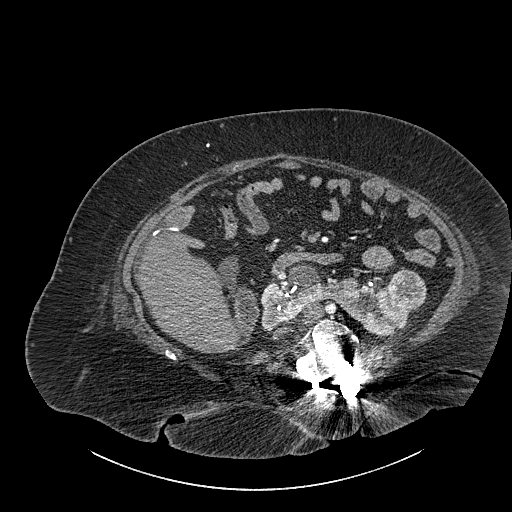
Contrast-enhanced abdominal CT, axial slice 498 of 834 (counted from the lowest slice); tube voltage 140 kVp, convolution kernel I30f; slices 1.00 mm thick, 0.977 mm per pixel.
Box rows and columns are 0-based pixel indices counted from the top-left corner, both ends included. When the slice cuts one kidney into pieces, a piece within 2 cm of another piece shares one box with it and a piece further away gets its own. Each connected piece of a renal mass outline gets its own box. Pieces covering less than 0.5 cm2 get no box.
Two boxes on this slice (one kidney box and one renal mass box), listed by box centre from the image's left to its right. (1) Box rows 262–336, columns 260–418: kidney crossing the body midline (outlined area 5,526 px, about 52.7 cm2). (2) Renal mass at rows 267–309, columns 387–426 (outlined area 1,318 px, about 12.6 cm2).